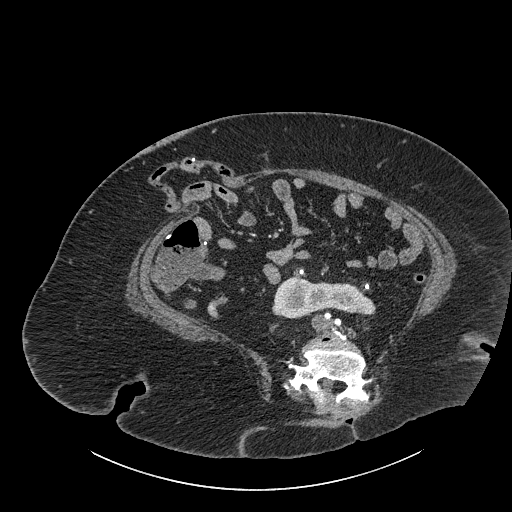
Contrast-enhanced abdominal CT, axial slice 419 of 834 (counted from the lowest slice); tube voltage 140 kVp, convolution kernel I30f; slices 1.00 mm thick, 0.977 mm per pixel.
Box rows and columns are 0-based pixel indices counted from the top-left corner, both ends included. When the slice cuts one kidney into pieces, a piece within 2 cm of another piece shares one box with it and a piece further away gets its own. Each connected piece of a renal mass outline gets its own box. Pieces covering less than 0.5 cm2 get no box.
Box rows 276–318, columns 272–375: kidney crossing the body midline (outlined area 3,064 px, about 29.2 cm2). This slice carries no renal mass outline.